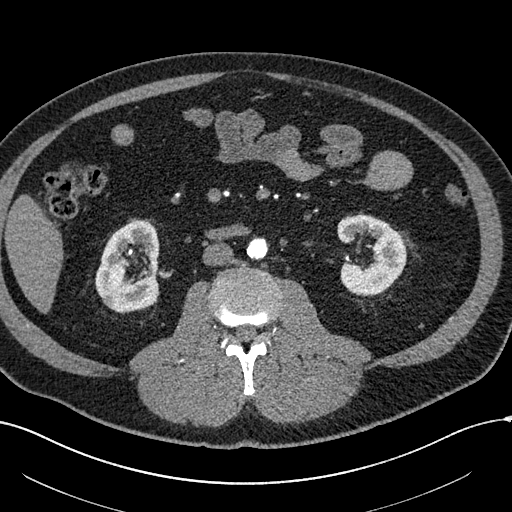
Arterial-phase contrast-enhanced abdominal CT, axial slice 272 of 602 (counted from the lowest slice); tube voltage 120 kVp, convolution kernel I30f; slices 1.00 mm thick, 0.799 mm per pixel.
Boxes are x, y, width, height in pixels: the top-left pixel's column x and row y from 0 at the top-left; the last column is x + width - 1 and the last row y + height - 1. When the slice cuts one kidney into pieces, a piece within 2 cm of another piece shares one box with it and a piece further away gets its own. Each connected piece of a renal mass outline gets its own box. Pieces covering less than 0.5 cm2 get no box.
Boxed on this slice (two kidney boxes and one renal mass box), listed by box centre from the image's left to its right: (1) Right renal mass at x 103, y 294, width 14, height 13 (outlined area 140 px, about 0.9 cm2). (2) Right kidney at x 95, y 220, width 64, height 92 (outlined area 4,351 px, about 27.8 cm2). (3) Left kidney, box x 337, y 214, width 70, height 83 (outlined area 4,027 px, about 25.7 cm2).